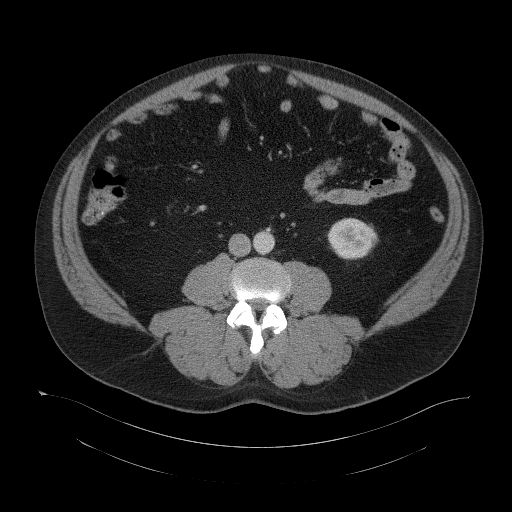
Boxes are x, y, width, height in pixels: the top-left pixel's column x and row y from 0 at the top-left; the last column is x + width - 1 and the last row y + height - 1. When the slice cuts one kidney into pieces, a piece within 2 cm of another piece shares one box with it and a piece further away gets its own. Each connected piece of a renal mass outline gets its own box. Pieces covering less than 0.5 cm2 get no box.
Contrast-enhanced abdominal CT, axial slice 54 of 104 (counted from the lowest slice); 5.00 mm thick, 0.977 mm per pixel. Left kidney, box x 327, y 218, width 51, height 42 (outlined area 1,630 px, about 15.5 cm2). This slice carries no renal mass outline.
Scan settings: 120 kVp, B41f reconstruction kernel.